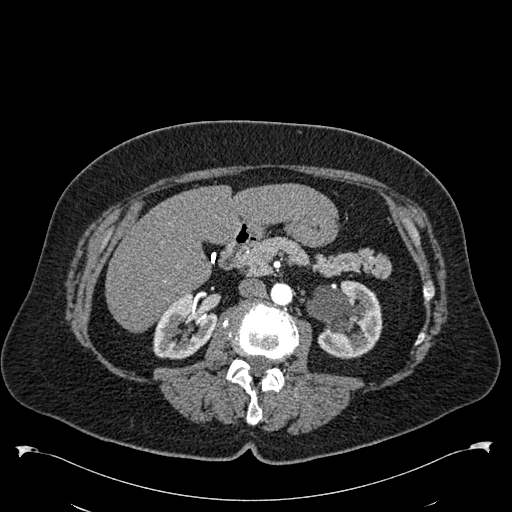
Arterial-phase contrast-enhanced abdominal CT, axial slice 327 of 538 (counted from the lowest slice); tube voltage 120 kVp, convolution kernel B30f; slices 1.00 mm thick, 0.811 mm per pixel.
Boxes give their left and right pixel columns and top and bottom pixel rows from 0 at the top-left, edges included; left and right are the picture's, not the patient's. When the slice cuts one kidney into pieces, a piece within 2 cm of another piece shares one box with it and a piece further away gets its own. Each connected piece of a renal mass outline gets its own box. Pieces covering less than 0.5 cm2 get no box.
Two boxes on this slice (two kidney boxes), listed by box centre from the image's left to its right. (1) Right kidney in the box with left 152, top 289, right 218, bottom 359 (outlined area 3,040 px, about 20.0 cm2). (2) Left kidney, the box with left 306, top 280, right 382, bottom 358 (outlined area 4,371 px, about 28.7 cm2). This slice carries no renal mass outline.